Contrast-enhanced abdominal CT, axial slice 74 of 90 (counted from the lowest slice); tube voltage 120 kVp, convolution kernel B41f; slices 5.00 mm thick, 0.781 mm per pixel.
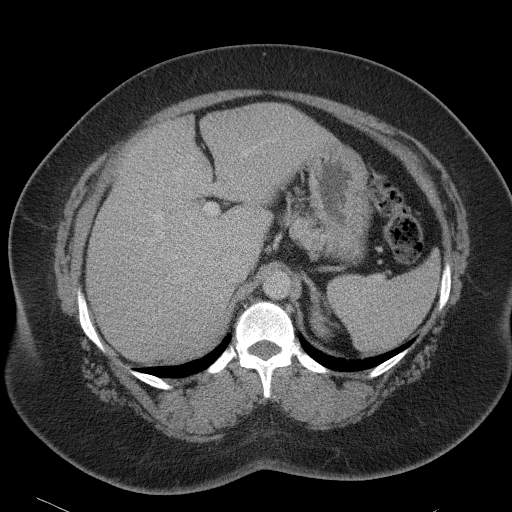
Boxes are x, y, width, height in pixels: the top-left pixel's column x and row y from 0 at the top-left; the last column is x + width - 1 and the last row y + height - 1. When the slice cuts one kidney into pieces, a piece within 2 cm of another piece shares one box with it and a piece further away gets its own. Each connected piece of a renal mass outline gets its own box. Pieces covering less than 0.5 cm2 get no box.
Left kidney at x 310, y 304, width 22, height 34 (outlined area 418 px, about 2.6 cm2). This slice carries no renal mass outline.